One axial slice (266 of 665, counting up from the lowest) of an arterial-phase abdominal CT acquired with 100 kVp, kernel I26f; each pixel is 0.828 mm and the slice is 1.00 mm thick.
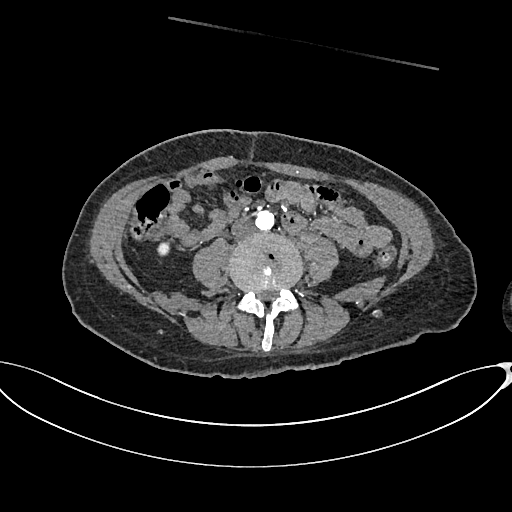
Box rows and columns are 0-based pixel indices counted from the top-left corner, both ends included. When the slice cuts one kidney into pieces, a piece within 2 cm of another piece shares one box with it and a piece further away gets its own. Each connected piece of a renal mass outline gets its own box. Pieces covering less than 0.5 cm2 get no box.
Right kidney, box rows 241–256, columns 158–170 (outlined area 160 px, about 1.1 cm2). This slice carries no renal mass outline.